Axial slice 197 of 433 of a contrast-enhanced abdominal CT (slice 1 is the lowest), 120 kVp, kernel B30f; 1.00 mm slice thickness and 0.672 mm pixels.
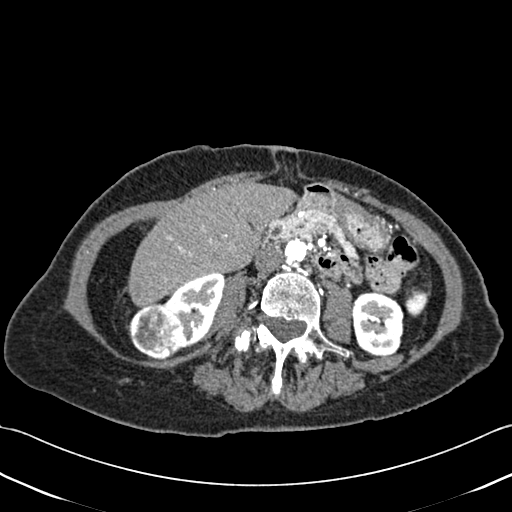
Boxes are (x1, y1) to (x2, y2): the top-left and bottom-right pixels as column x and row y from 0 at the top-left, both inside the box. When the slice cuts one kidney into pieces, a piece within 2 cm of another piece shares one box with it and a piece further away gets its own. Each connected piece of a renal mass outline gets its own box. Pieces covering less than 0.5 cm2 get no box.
Two kidney boxes and one renal mass box on this slice; by box centre, from the image's left to its right: (1) Right renal mass from (126, 302) to (182, 359) (outlined area 2,375 px, about 10.7 cm2). (2) Right kidney from (163, 272) to (224, 349) (outlined area 2,697 px, about 12.2 cm2). (3) Left kidney from (352, 292) to (403, 355) (outlined area 2,793 px, about 12.6 cm2).